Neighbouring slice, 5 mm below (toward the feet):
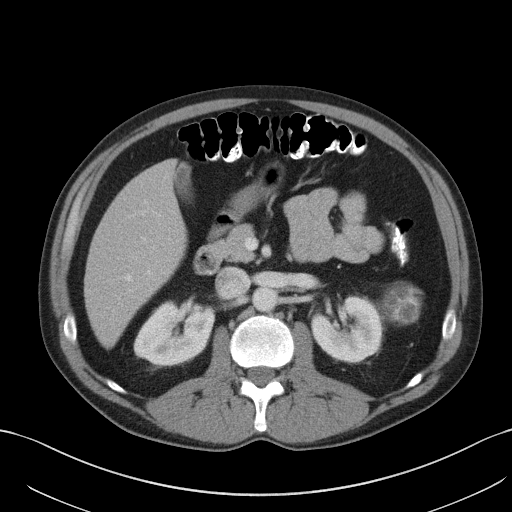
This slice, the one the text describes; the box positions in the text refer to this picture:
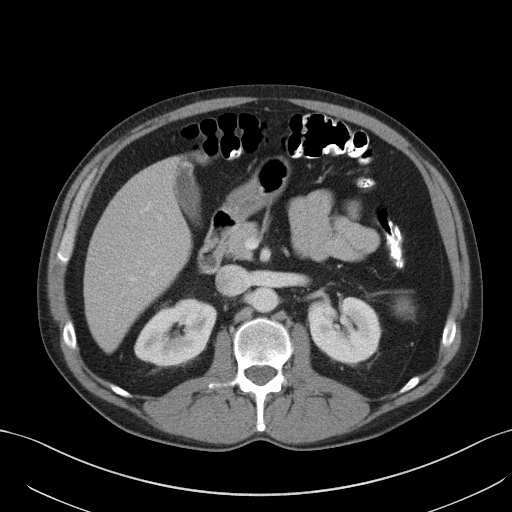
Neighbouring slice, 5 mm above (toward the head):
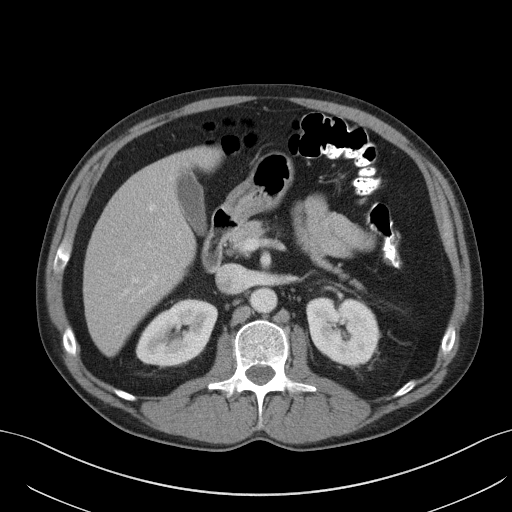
One axial slice (62 of 131, counting up from the lowest) of an arterial-phase abdominal CT acquired with 120 kVp, kernel B41f; each pixel is 0.760 mm and the slice is 5.00 mm thick.
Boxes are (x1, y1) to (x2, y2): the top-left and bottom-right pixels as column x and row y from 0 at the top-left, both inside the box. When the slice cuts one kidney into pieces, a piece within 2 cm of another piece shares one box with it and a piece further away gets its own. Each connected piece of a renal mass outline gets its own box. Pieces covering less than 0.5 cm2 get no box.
Boxed on this slice (two kidney boxes and one renal mass box), listed by box centre from the image's left to its right: (1) Box (134, 298) to (216, 366): right kidney (outlined area 3,948 px, about 22.8 cm2). (2) Left kidney, box (308, 296) to (380, 363) (outlined area 3,810 px, about 22.0 cm2). (3) Left renal mass from (397, 300) to (410, 311) (outlined area 133 px, about 0.8 cm2); on this slice it lies more than 1 cm from any kidney outline, but the same outlined renal mass comes within 1 cm of the kidney on another slice. This slice is near the end of the left renal mass toward the head, so the slices 5 mm below and 5 mm above it are shown as well; the boxes refer to this slice only.